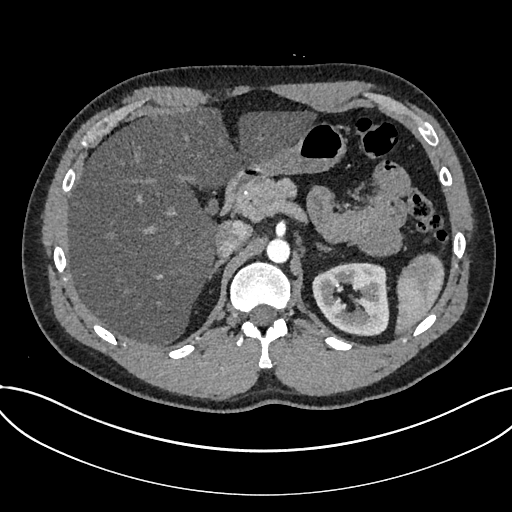
One axial slice (513 of 735, counting up from the lowest) of an arterial-phase abdominal CT acquired with 120 kVp, kernel I30f; each pixel is 0.789 mm and the slice is 1.00 mm thick.
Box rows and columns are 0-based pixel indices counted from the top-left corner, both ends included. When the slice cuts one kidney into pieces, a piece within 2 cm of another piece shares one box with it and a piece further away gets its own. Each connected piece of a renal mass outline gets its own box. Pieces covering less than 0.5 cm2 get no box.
Kidney, box rows 262–336, columns 312–389 (outlined area 4,388 px, about 27.3 cm2). No renal mass is outlined on this slice.